One axial slice (159 of 316, counting up from the lowest) of an arterial-phase abdominal CT acquired with 100 kVp, kernel I40f; each pixel is 0.840 mm and the slice is 2.00 mm thick.
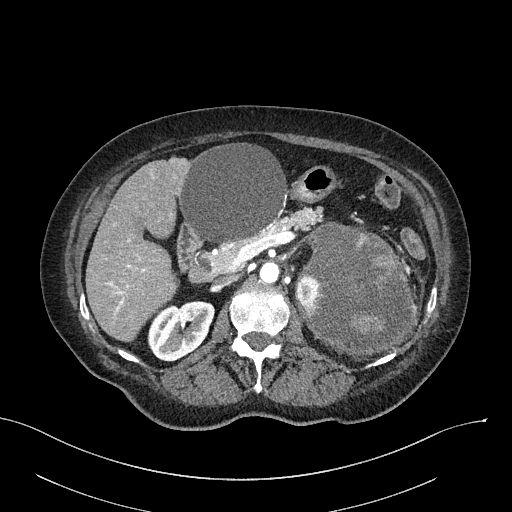
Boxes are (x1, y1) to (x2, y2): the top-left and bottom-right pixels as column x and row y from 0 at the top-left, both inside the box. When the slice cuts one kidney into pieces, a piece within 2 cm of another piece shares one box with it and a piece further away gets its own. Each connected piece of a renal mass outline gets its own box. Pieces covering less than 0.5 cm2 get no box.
Two kidney boxes and one renal mass box on this slice; by box centre, from the image's left to its right: (1) Box (147, 300) to (214, 361): right kidney (outlined area 2,965 px, about 20.9 cm2). (2) Box (295, 276) to (317, 314): left kidney (outlined area 630 px, about 4.4 cm2). (3) Left renal mass from (300, 223) to (417, 357) (outlined area 11,528 px, about 81.3 cm2).